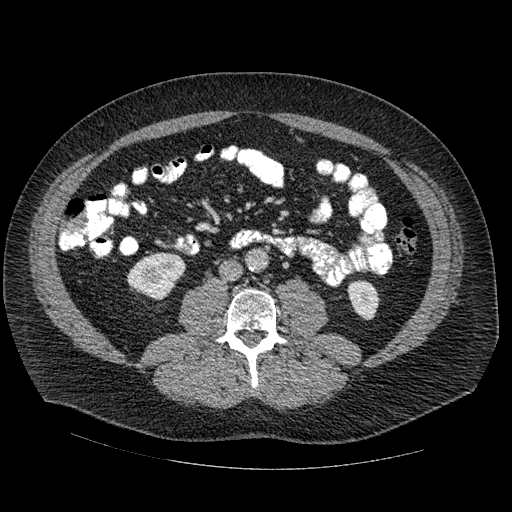
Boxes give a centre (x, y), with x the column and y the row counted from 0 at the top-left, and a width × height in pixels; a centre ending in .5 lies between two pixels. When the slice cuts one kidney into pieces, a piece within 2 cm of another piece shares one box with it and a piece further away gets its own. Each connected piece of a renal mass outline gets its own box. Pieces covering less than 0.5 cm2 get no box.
This is axial slice 237 of 445 (slice 1 is the lowest) of an arterial-phase abdominal CT with contrast; each pixel is 0.863 mm and the slice is 1.25 mm thick. Two boxes on this slice (two kidney boxes), listed by box centre from the image's left to its right. (1) Right kidney in a box with centre (156, 276), 61 × 49 pixels (outlined area 2,028 px, about 15.1 cm2). (2) Left kidney in a box with centre (363, 299.5), 33 × 42 pixels (outlined area 965 px, about 7.2 cm2). No renal mass is outlined on this slice.
Tube voltage 120 kVp; convolution kernel STANDARD.